Abdominal CT with intravenous contrast, arterial phase, axial plane, 120 kVp, kernel STANDARD. Slice 127/199 from the bottom of the scan; thickness 2.50 mm; pixel size 0.789 mm.
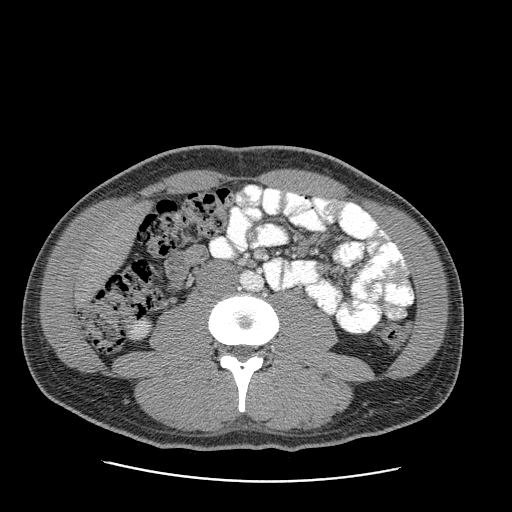
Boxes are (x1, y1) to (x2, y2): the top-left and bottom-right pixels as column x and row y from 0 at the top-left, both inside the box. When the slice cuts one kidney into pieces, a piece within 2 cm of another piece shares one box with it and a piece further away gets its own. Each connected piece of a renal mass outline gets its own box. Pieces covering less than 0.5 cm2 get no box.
Right kidney from (132, 319) to (148, 338) (outlined area 242 px, about 1.5 cm2). This slice carries no renal mass outline.